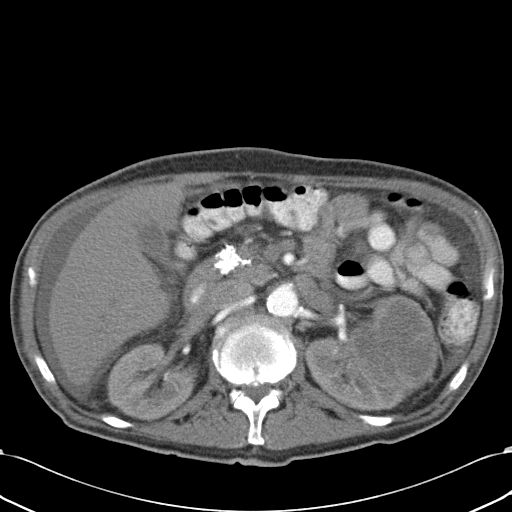
Contrast-enhanced abdominal CT, axial slice 17 of 43 (counted from the lowest slice); tube voltage 120 kVp, convolution kernel B31f; slices 5.00 mm thick, 0.701 mm per pixel.
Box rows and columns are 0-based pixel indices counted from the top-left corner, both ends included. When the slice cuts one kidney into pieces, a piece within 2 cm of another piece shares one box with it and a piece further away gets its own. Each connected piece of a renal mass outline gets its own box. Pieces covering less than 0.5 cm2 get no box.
Boxed on this slice (two kidney boxes and one renal mass box), listed by box centre from the image's left to its right: (1) Box rows 342–421, columns 107–198: right kidney (outlined area 5,248 px, about 25.8 cm2). (2) Left kidney, box rows 337–411, columns 305–407 (outlined area 3,825 px, about 18.8 cm2). (3) Left renal mass, box rows 294–395, columns 350–439 (outlined area 6,435 px, about 31.6 cm2).